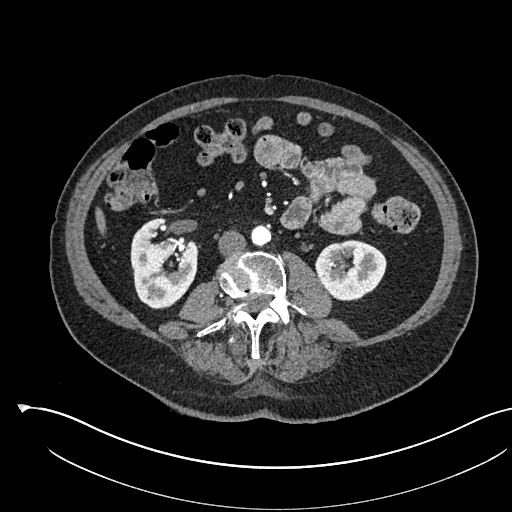
Abdominal CT with intravenous contrast, arterial phase, axial plane, 120 kVp, kernel I30f. Slice 260/541 from the bottom of the scan; thickness 1.00 mm; pixel size 0.834 mm.
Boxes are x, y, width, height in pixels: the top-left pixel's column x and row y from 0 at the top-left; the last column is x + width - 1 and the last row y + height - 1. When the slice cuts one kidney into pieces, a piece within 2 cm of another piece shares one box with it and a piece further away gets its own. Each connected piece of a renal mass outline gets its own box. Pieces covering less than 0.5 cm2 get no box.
Boxed on this slice (two kidney boxes), listed by box centre from the image's left to its right: (1) Right kidney, box x 130, y 217, width 69, height 93 (outlined area 4,559 px, about 31.7 cm2). (2) Left kidney at x 315, y 239, width 72, height 63 (outlined area 3,359 px, about 23.4 cm2). This slice carries no renal mass outline.